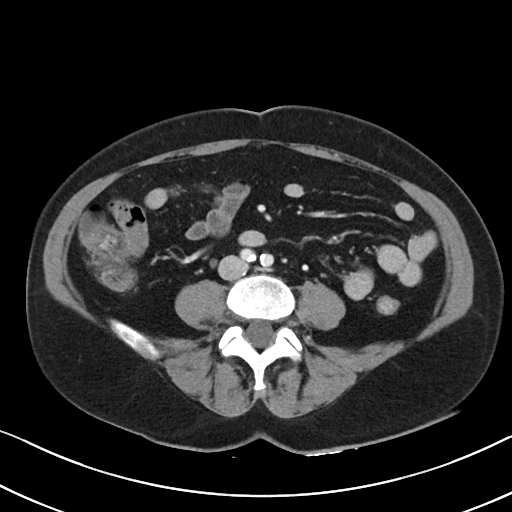
Abdominal CT with intravenous contrast, axial plane, 100 kVp, kernel I40f. Slice 41/88 from the bottom of the scan; thickness 5.00 mm; pixel size 0.674 mm.
No kidney and no renal mass is outlined on this slice; the outlines in this scan cover only the kidneys and the renal masses, so nothing is said about any other organ.